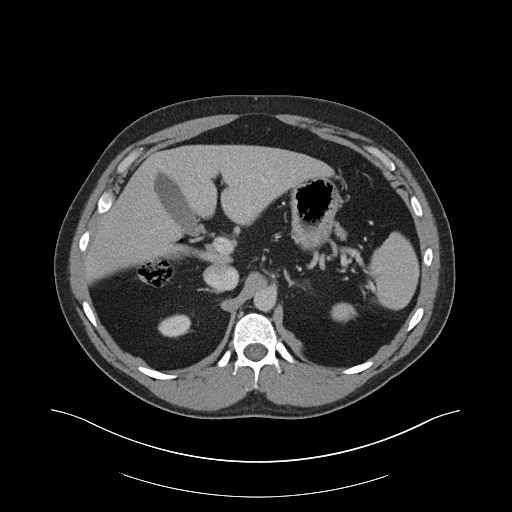
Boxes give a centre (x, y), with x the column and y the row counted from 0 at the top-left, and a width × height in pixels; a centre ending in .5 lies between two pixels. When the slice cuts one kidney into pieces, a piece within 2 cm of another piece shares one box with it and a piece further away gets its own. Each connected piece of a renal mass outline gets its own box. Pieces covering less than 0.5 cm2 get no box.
Arterial-phase contrast-enhanced abdominal CT, axial slice 128 of 159 (counted from the lowest slice); 3.00 mm thick, 0.977 mm per pixel. Right kidney in a box with centre (174.5, 325.5), 34 × 24 pixels (outlined area 599 px, about 5.7 cm2). No renal mass outline on this slice.
Tube voltage 140 kVp; convolution kernel B30f.